Axial slice 39 of 69 of a contrast-enhanced abdominal CT in the arterial phase (slice 1 is the lowest), 120 kVp, kernel STANDARD; 2.50 mm slice thickness and 0.846 mm pixels.
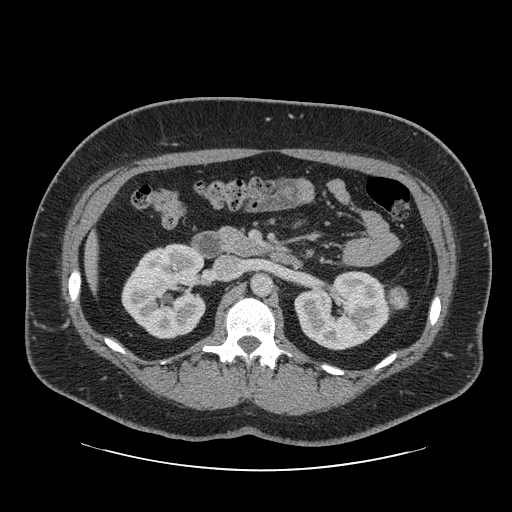
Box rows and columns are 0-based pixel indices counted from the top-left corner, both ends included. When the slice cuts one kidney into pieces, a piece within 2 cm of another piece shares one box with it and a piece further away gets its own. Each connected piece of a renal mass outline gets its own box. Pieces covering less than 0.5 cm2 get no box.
Three boxes on this slice (two kidney boxes and one renal mass box), listed by box centre from the image's left to its right. (1) Right kidney, box rows 243–338, columns 121–206 (outlined area 6,242 px, about 44.6 cm2). (2) Left kidney, box rows 270–350, columns 294–392 (outlined area 5,654 px, about 40.4 cm2). (3) Box rows 286–310, columns 385–408: left renal mass (outlined area 434 px, about 3.1 cm2).